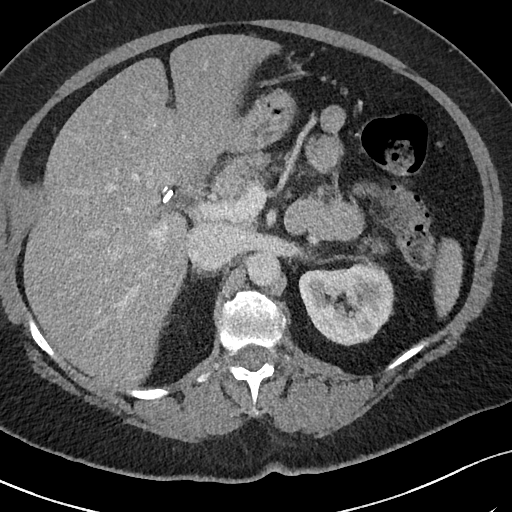
Axial slice 54 of 69 of a contrast-enhanced abdominal CT in the arterial phase (slice 1 is the lowest), 120 kVp, kernel I40f; 3.00 mm slice thickness and 0.664 mm pixels.
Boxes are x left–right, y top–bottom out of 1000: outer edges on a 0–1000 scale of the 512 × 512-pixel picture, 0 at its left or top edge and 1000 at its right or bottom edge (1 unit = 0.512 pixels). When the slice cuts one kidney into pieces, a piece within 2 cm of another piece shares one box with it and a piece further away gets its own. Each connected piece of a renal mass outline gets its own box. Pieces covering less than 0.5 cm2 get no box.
Left kidney at x 582–771, y 514–678 out of 1000 (outlined area 6,005 px, about 26.5 cm2). No renal mass is outlined on this slice.